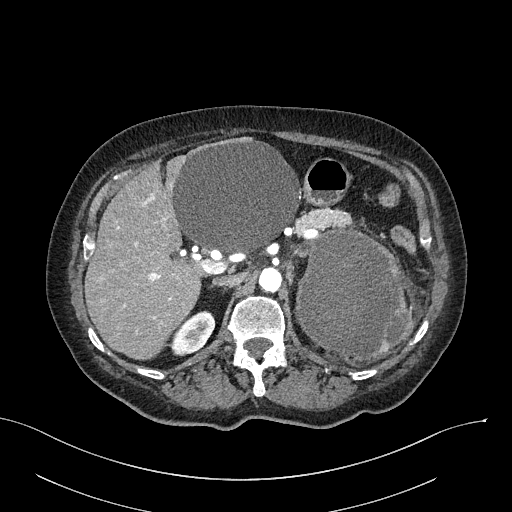
One axial slice (177 of 316, counting up from the lowest) of an arterial-phase abdominal CT acquired with 100 kVp, kernel I40f; each pixel is 0.840 mm and the slice is 2.00 mm thick.
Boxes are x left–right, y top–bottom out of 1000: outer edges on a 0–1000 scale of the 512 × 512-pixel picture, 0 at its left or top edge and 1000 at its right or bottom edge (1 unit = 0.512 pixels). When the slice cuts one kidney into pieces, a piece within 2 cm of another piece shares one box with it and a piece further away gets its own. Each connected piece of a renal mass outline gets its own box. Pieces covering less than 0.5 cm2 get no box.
Boxed on this slice (one kidney box and one renal mass box), listed by box centre from the image's left to its right: (1) Box x 334–422, y 605–697 out of 1000: right kidney (outlined area 1,359 px, about 9.6 cm2). (2) Left renal mass, box x 574–807, y 447–703 out of 1000 (outlined area 11,615 px, about 81.9 cm2); it sits over 1 cm from every kidney outline on this slice, but the same outlined renal mass comes within 1 cm of the kidney on another slice.